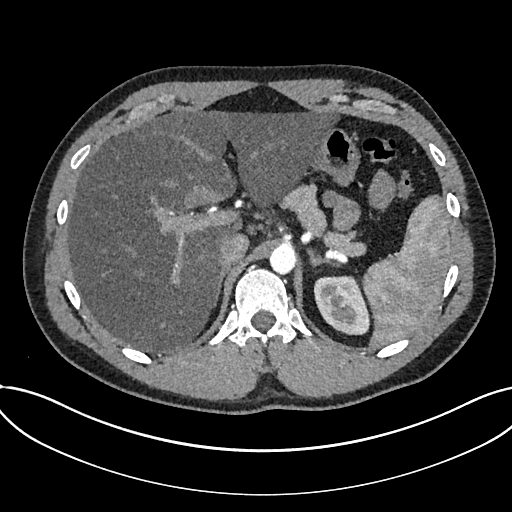
Axial slice 558 of 735 of a contrast-enhanced abdominal CT in the arterial phase (slice 1 is the lowest), 120 kVp, kernel I30f; 1.00 mm slice thickness and 0.789 mm pixels.
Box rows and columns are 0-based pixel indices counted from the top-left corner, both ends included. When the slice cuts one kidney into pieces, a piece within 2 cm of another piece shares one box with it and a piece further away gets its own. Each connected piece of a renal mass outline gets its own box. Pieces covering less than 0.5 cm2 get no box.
Box rows 275–335, columns 313–369: kidney (outlined area 2,560 px, about 15.9 cm2). This slice carries no renal mass outline.